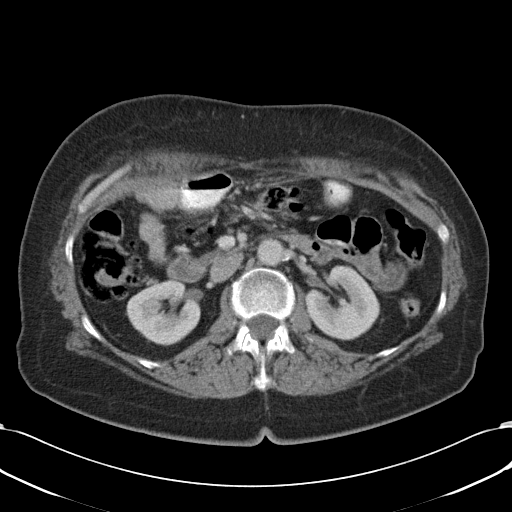
Contrast-enhanced abdominal CT, axial slice 61 of 90 (counted from the lowest slice); tube voltage 120 kVp, convolution kernel B31f; slices 5.00 mm thick, 0.707 mm per pixel.
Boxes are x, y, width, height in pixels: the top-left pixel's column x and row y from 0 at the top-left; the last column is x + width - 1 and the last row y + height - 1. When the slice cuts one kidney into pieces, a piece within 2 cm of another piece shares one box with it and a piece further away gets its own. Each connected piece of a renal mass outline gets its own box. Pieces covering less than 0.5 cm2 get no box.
Two boxes on this slice (two kidney boxes), listed by box centre from the image's left to its right. (1) Right kidney, box x 126, y 281, width 75, height 65 (outlined area 3,501 px, about 17.5 cm2). (2) Left kidney, box x 307, y 265, width 72, height 74 (outlined area 3,700 px, about 18.5 cm2). No renal mass outline on this slice.